One axial slice (275 of 538, counting up from the lowest) of an arterial-phase abdominal CT acquired with 120 kVp, kernel B30f; each pixel is 0.811 mm and the slice is 1.00 mm thick.
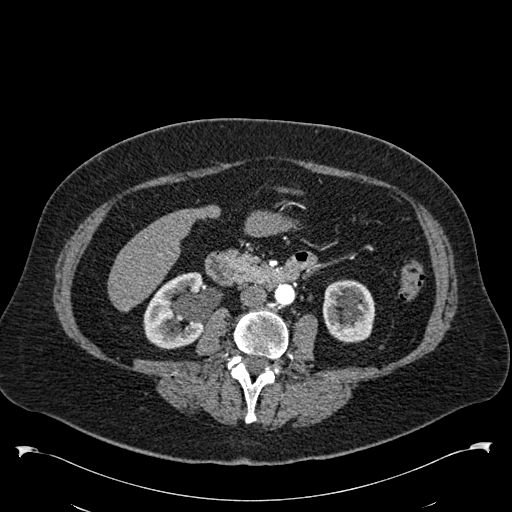
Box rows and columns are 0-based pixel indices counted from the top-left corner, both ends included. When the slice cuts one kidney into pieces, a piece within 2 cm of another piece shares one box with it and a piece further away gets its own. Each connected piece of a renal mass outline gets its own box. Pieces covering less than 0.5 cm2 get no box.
Two boxes on this slice (two kidney boxes), listed by box centre from the image's left to its right. (1) Right kidney, box rows 272–349, columns 143–202 (outlined area 3,586 px, about 23.6 cm2). (2) Box rows 279–343, columns 322–375: left kidney (outlined area 2,763 px, about 18.2 cm2). This slice carries no renal mass outline.